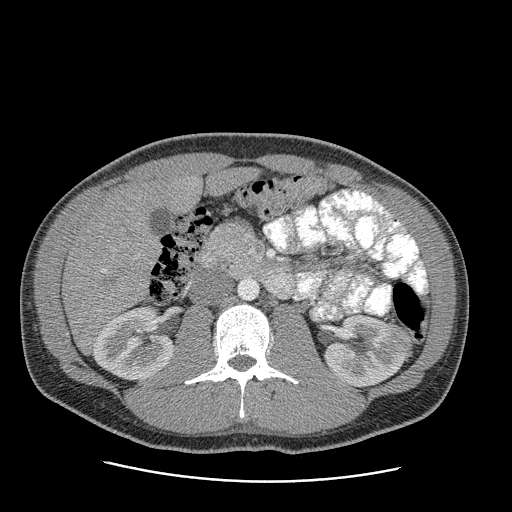
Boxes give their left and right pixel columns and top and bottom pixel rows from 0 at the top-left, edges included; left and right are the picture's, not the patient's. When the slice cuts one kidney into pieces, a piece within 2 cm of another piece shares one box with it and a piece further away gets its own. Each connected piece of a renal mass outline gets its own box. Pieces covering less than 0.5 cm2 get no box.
Arterial-phase contrast-enhanced abdominal CT, axial slice 145 of 199 (counted from the lowest slice); 2.50 mm thick, 0.789 mm per pixel. Three boxes on this slice (two kidney boxes and one renal mass box), listed by box centre from the image's left to its right. (1) Box with left 93, top 307, right 172, bottom 379: right kidney (outlined area 4,299 px, about 26.8 cm2). (2) Left kidney in the box with left 324, top 314, right 403, bottom 387 (outlined area 3,846 px, about 23.9 cm2). (3) Box with left 381, top 326, right 412, bottom 360: left renal mass (outlined area 882 px, about 5.5 cm2).
Acquired at 120 kVp and reconstructed with the STANDARD kernel.